One axial slice (463 of 673, counting up from the lowest) of an arterial-phase abdominal CT acquired with 140 kVp, kernel I30f; each pixel is 0.957 mm and the slice is 1.00 mm thick.
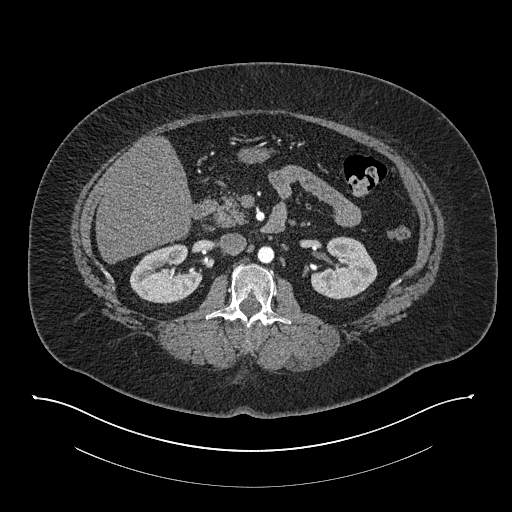
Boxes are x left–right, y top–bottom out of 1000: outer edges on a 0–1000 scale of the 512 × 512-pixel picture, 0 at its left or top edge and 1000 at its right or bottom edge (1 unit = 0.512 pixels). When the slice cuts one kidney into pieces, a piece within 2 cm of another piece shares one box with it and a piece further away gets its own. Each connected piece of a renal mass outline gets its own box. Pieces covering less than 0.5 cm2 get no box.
Two boxes on this slice (two kidney boxes), listed by box centre from the image's left to its right. (1) Right kidney at x 252–396, y 475–594 out of 1000 (outlined area 3,065 px, about 28.1 cm2). (2) Left kidney, box x 605–738, y 461–586 out of 1000 (outlined area 2,984 px, about 27.3 cm2). No renal mass is outlined on this slice.